Abdominal CT with intravenous contrast, arterial phase, axial plane, 140 kVp, kernel STANDARD. Slice 35/36 from the bottom of the scan; thickness 5.00 mm; pixel size 0.703 mm.
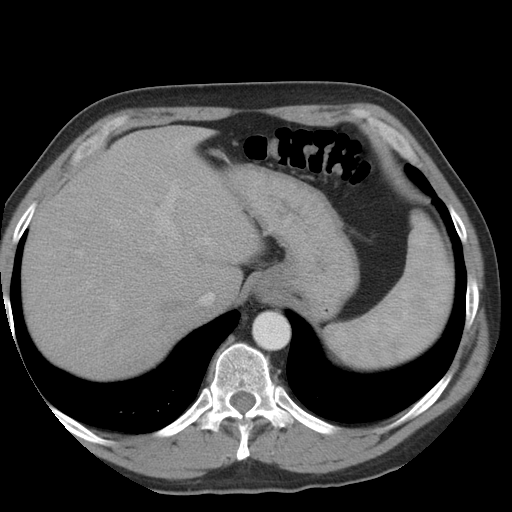
No kidney and no renal mass is outlined on this slice; the outlines in this scan cover only the kidneys and the renal masses, so nothing is said about any other organ.